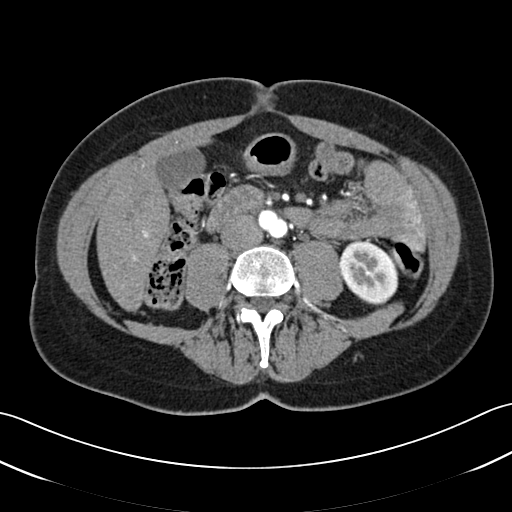
One axial slice (9 of 52, counting up from the lowest) of an arterial-phase abdominal CT acquired with 120 kVp, kernel B30f; each pixel is 0.678 mm and the slice is 3.00 mm thick.
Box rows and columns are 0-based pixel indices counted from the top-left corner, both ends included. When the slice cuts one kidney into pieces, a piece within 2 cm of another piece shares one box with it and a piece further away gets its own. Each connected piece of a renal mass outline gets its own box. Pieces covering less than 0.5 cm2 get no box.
Left kidney at rows 242–305, columns 340–398 (outlined area 2,848 px, about 13.1 cm2). No renal mass is outlined on this slice.